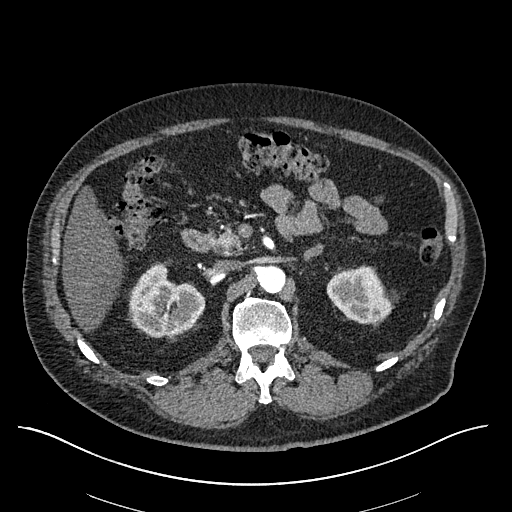
Abdominal CT with intravenous contrast, arterial phase, axial plane, 120 kVp, kernel I30f. Slice 372/670 from the bottom of the scan; thickness 1.00 mm; pixel size 0.861 mm.
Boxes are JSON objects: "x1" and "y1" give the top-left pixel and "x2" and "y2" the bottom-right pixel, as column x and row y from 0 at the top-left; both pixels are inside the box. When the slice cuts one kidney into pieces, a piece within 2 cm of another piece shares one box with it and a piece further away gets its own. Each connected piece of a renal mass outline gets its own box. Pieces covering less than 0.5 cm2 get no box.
Two boxes on this slice (two kidney boxes), listed by box centre from the image's left to its right. (1) Right kidney at {"x1": 129, "y1": 262, "x2": 205, "y2": 338} (outlined area 3,943 px, about 29.3 cm2). (2) Left kidney at {"x1": 326, "y1": 265, "x2": 395, "y2": 324} (outlined area 2,865 px, about 21.3 cm2). No renal mass is outlined on this slice.